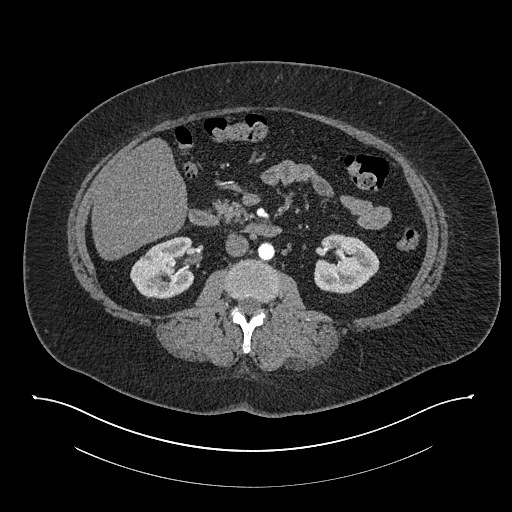
Axial slice 431 of 673 of a contrast-enhanced abdominal CT in the arterial phase (slice 1 is the lowest), 140 kVp, kernel I30f; 1.00 mm slice thickness and 0.957 mm pixels.
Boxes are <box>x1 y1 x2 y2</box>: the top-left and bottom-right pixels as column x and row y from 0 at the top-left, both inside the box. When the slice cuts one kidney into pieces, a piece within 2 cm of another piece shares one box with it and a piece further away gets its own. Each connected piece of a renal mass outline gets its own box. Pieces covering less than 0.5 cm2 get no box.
Boxed on this slice (two kidney boxes), listed by box centre from the image's left to its right: (1) Right kidney: <box>130 236 194 298</box> (outlined area 3,057 px, about 28.0 cm2). (2) Left kidney at <box>314 233 379 293</box> (outlined area 2,945 px, about 27.0 cm2). No renal mass outline on this slice.